Arterial-phase contrast-enhanced abdominal CT, axial slice 62 of 89 (counted from the lowest slice); tube voltage 100 kVp, convolution kernel I40f; slices 5.00 mm thick, 0.885 mm per pixel.
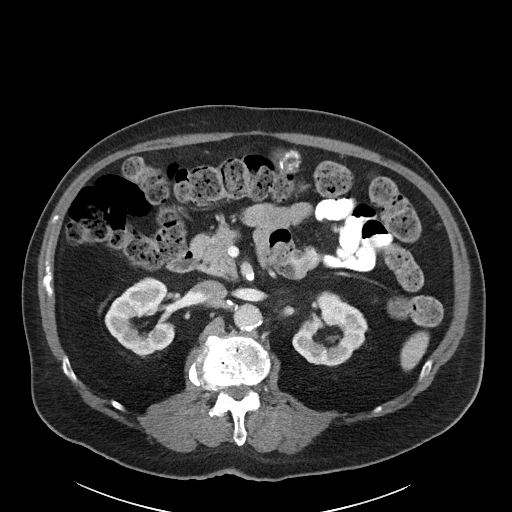
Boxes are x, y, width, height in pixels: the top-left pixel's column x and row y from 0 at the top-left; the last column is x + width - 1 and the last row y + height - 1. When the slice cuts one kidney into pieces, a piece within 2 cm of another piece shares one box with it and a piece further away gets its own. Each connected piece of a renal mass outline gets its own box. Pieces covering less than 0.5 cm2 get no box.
Two boxes on this slice (two kidney boxes), listed by box centre from the image's left to its right. (1) Right kidney, box x 104, y 277, width 71, height 81 (outlined area 3,701 px, about 29.0 cm2). (2) Box x 292, y 291, width 77, height 76: left kidney (outlined area 3,601 px, about 28.2 cm2).